One axial slice (568 of 673, counting up from the lowest) of an arterial-phase abdominal CT acquired with 140 kVp, kernel I30f; each pixel is 0.957 mm and the slice is 1.00 mm thick.
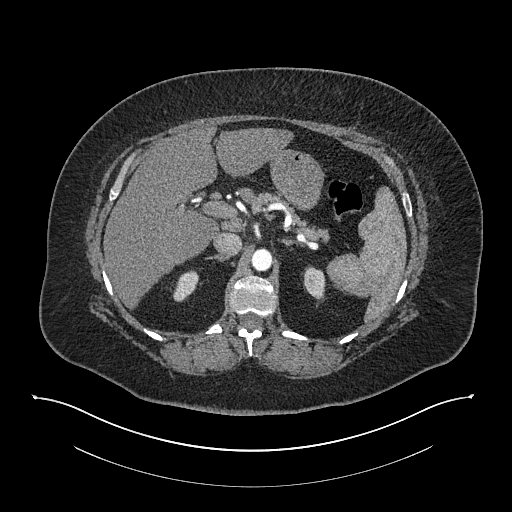
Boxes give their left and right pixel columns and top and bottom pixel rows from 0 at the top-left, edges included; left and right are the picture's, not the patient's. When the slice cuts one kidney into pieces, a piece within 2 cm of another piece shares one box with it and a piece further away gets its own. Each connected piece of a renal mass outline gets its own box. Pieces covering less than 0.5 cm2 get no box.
Two kidney boxes on this slice; by box centre, from the image's left to its right: (1) Box with left 172, top 270, right 198, bottom 301: right kidney (outlined area 561 px, about 5.1 cm2). (2) Left kidney, the box with left 303, top 265, right 325, bottom 300 (outlined area 608 px, about 5.6 cm2). No renal mass is outlined on this slice.